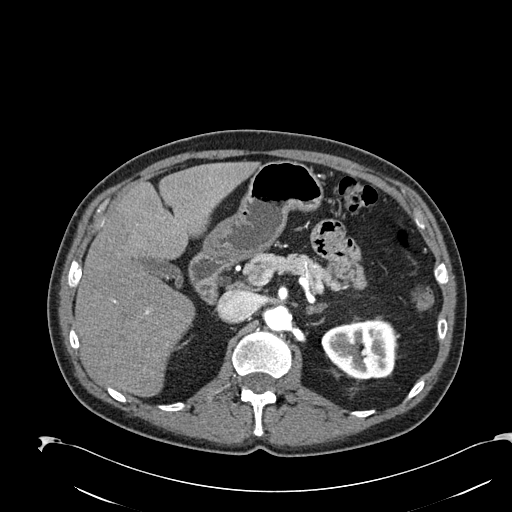
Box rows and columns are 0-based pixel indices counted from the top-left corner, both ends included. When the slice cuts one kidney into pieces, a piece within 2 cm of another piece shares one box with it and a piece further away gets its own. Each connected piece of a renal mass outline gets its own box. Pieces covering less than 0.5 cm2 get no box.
This is axial slice 148 of 274 (slice 1 is the lowest) of an arterial-phase abdominal CT with contrast; each pixel is 0.809 mm and the slice is 2.00 mm thick. Box rows 319–379, columns 321–397: left kidney (outlined area 3,656 px, about 23.9 cm2). No renal mass outline on this slice.
Acquired at 120 kVp and reconstructed with the B30f kernel.